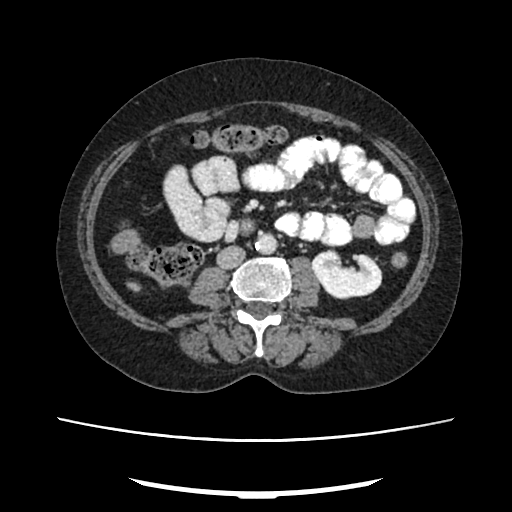
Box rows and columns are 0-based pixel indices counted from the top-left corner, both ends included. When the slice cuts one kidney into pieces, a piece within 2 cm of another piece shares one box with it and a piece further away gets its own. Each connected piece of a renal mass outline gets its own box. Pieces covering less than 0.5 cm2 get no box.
Arterial-phase contrast-enhanced abdominal CT, axial slice 116 of 207 (counted from the lowest slice); 2.00 mm thick, 0.741 mm per pixel. Box rows 247–299, columns 311–382: left kidney (outlined area 2,585 px, about 14.2 cm2). No renal mass outline on this slice.
Acquired at 120 kVp and reconstructed with the FC18 kernel.